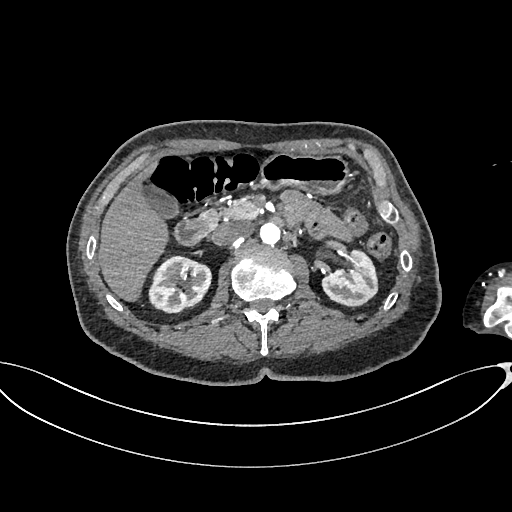
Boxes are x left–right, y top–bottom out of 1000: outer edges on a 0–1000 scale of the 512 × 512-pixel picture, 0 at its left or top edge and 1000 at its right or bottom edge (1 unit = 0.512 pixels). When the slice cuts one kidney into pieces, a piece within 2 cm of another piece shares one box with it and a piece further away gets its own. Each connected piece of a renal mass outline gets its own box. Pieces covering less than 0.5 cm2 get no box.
This is axial slice 416 of 665 (slice 1 is the lowest) of an arterial-phase abdominal CT with contrast; each pixel is 0.828 mm and the slice is 1.00 mm thick. Two boxes on this slice (two kidney boxes), listed by box centre from the image's left to its right. (1) Box x 289–414, y 498–613 out of 1000: right kidney (outlined area 2,815 px, about 19.3 cm2). (2) Left kidney at x 627–740, y 486–604 out of 1000 (outlined area 2,321 px, about 15.9 cm2). No renal mass is outlined on this slice.
Scan settings: 100 kVp, I26f reconstruction kernel.